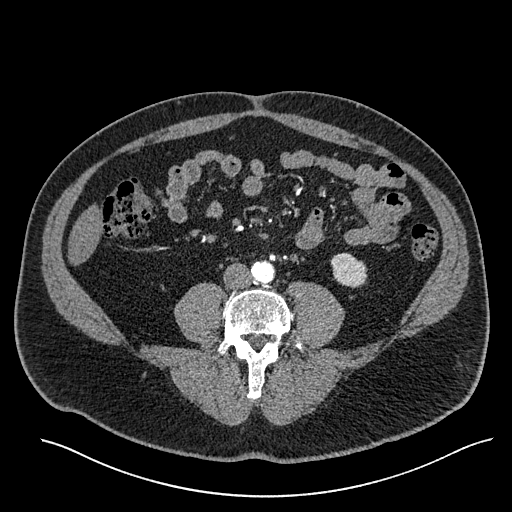
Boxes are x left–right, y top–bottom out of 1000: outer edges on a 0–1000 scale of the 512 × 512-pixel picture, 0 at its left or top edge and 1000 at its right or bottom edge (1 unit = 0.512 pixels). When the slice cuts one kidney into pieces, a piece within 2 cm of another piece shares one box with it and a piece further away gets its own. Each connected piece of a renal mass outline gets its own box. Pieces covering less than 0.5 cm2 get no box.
This is axial slice 188 of 527 (slice 1 is the lowest) of an arterial-phase abdominal CT with contrast; each pixel is 0.859 mm and the slice is 1.00 mm thick. Box x 645–719, y 492–564 out of 1000: left kidney (outlined area 1,006 px, about 7.4 cm2). This slice carries no renal mass outline.
Scan settings: 120 kVp, I30f reconstruction kernel.